Arterial-phase contrast-enhanced abdominal CT, axial slice 455 of 1059 (counted from the lowest slice); tube voltage 100 kVp, convolution kernel I30f; slices 1.00 mm thick, 0.811 mm per pixel.
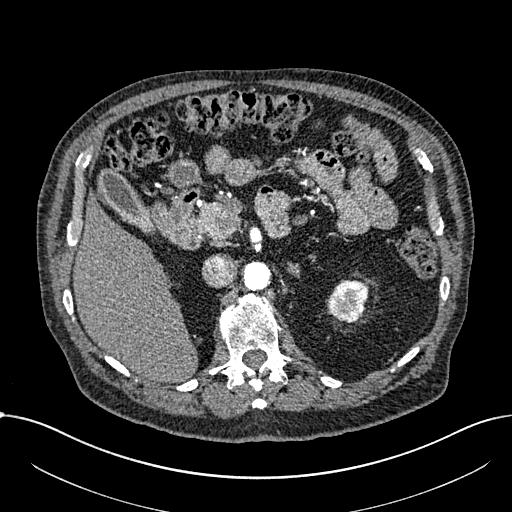
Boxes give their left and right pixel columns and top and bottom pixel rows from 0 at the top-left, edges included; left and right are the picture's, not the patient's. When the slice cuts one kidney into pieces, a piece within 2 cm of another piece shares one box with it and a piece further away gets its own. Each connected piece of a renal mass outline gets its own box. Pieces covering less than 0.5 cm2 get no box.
Left part of the midline-crossing kidney in the box with left 326, top 279, right 368, bottom 323 (outlined area 1,421 px, about 9.3 cm2). No renal mass outline on this slice.